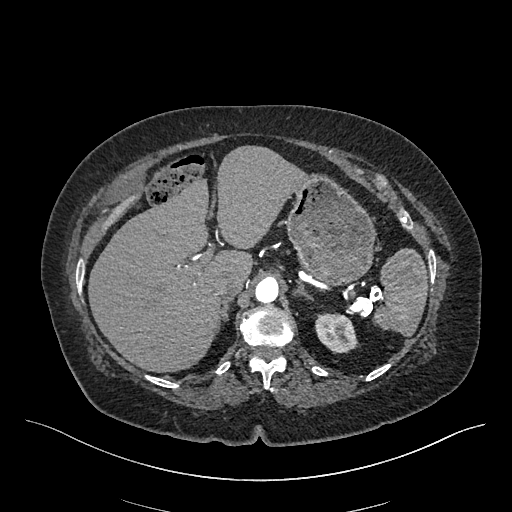
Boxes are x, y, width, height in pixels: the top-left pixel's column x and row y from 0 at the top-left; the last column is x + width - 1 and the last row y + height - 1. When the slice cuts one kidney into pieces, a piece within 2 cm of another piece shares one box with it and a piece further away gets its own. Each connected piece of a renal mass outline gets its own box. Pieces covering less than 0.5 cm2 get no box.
Arterial-phase contrast-enhanced abdominal CT, axial slice 354 of 548 (counted from the lowest slice); 1.00 mm thick, 0.852 mm per pixel. Left kidney at x 315, y 313, width 43, height 41 (outlined area 1,345 px, about 9.8 cm2). This slice carries no renal mass outline.
Acquired at 120 kVp and reconstructed with the I26f kernel.